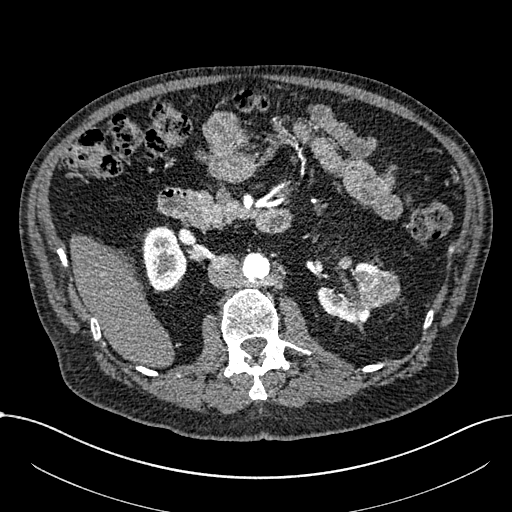
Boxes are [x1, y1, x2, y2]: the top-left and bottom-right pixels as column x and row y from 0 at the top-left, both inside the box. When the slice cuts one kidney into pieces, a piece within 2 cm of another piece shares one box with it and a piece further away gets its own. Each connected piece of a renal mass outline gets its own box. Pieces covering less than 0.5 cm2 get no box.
Arterial-phase contrast-enhanced abdominal CT, axial slice 401 of 1059 (counted from the lowest slice); 1.00 mm thick, 0.811 mm per pixel. Boxed on this slice (two kidney boxes and one renal mass box), listed by box centre from the image's left to its right: (1) Box [143, 226, 187, 290]: right part of the midline-crossing kidney (outlined area 2,156 px, about 14.2 cm2). (2) Box [318, 262, 380, 322]: left part of the midline-crossing kidney (outlined area 2,044 px, about 13.4 cm2). (3) Renal mass at [360, 270, 399, 308] (outlined area 1,121 px, about 7.4 cm2).
Acquired at 100 kVp and reconstructed with the I30f kernel.